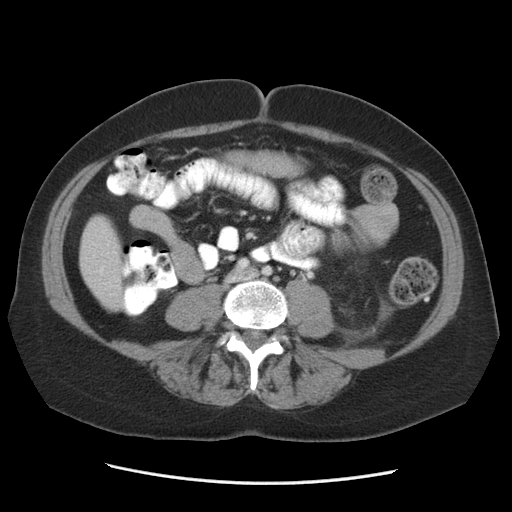
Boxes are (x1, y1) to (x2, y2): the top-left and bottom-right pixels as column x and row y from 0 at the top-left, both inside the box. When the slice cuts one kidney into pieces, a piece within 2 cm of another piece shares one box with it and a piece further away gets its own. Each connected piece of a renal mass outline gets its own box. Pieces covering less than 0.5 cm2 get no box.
This is axial slice 40 of 84 (slice 1 is the lowest) of an abdominal CT with contrast; each pixel is 0.717 mm and the slice is 5.00 mm thick. Left kidney from (328, 226) to (353, 255) (outlined area 534 px, about 2.7 cm2). No renal mass outline on this slice.
Scan settings: 140 kVp, STANDARD reconstruction kernel.